Arterial-phase contrast-enhanced abdominal CT, axial slice 47 of 50 (counted from the lowest slice); tube voltage 100 kVp, convolution kernel I41f; slices 3.00 mm thick, 0.758 mm per pixel.
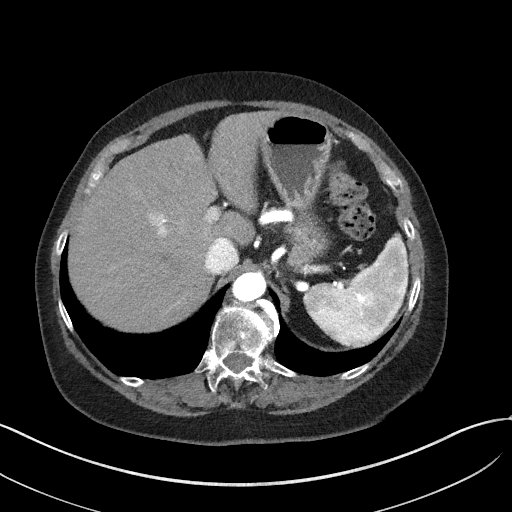
This slice carries no outline: it lies beyond the outlined kidneys and beyond every outlined renal mass. Other organs are not outlined in this scan.